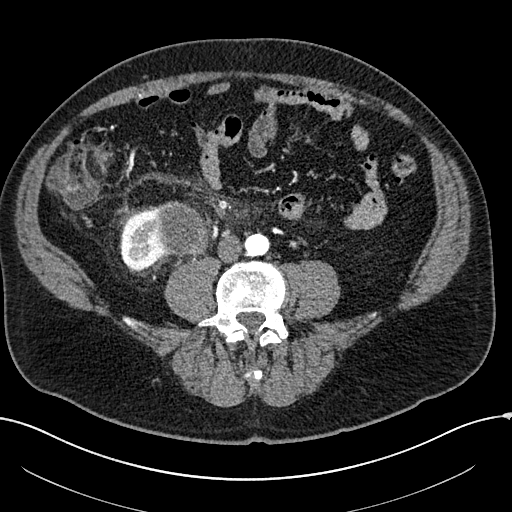
Arterial-phase contrast-enhanced abdominal CT, axial slice 36 of 304 (counted from the lowest slice); tube voltage 100 kVp, convolution kernel I30f; slices 2.00 mm thick, 0.809 mm per pixel.
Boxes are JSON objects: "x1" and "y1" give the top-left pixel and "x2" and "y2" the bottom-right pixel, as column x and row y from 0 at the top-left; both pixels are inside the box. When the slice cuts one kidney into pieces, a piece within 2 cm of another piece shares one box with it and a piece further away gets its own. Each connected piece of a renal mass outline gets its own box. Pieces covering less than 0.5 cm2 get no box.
Two boxes on this slice (one kidney box and one renal mass box), listed by box centre from the image's left to its right. (1) Right kidney at {"x1": 119, "y1": 208, "x2": 170, "y2": 272} (outlined area 2,135 px, about 14.0 cm2). (2) Right renal mass, box {"x1": 155, "y1": 201, "x2": 209, "y2": 255} (outlined area 2,406 px, about 15.7 cm2).